Contrast-enhanced abdominal CT, axial slice 277 of 439 (counted from the lowest slice); tube voltage 100 kVp, convolution kernel I40f; slices 2.00 mm thick, 0.850 mm per pixel.
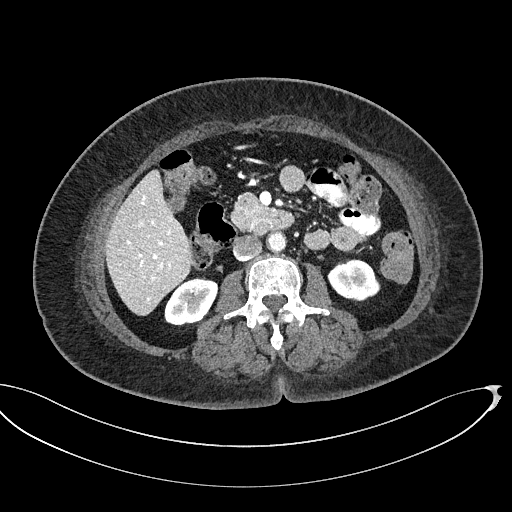
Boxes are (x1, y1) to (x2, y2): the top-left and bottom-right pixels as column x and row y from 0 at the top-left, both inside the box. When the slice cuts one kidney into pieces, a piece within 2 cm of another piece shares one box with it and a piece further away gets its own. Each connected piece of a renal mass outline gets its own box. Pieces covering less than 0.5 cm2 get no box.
Two kidney boxes on this slice; by box centre, from the image's left to its right: (1) Right kidney from (164, 277) to (218, 325) (outlined area 1,904 px, about 13.7 cm2). (2) Left kidney, box (327, 259) to (380, 301) (outlined area 1,678 px, about 12.1 cm2). No renal mass outline on this slice.